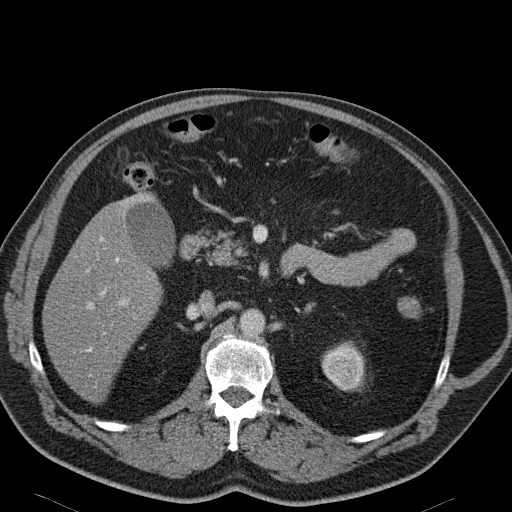
Arterial-phase contrast-enhanced abdominal CT, axial slice 84 of 114 (counted from the lowest slice); tube voltage 120 kVp, convolution kernel B31f; slices 5.00 mm thick, 0.781 mm per pixel.
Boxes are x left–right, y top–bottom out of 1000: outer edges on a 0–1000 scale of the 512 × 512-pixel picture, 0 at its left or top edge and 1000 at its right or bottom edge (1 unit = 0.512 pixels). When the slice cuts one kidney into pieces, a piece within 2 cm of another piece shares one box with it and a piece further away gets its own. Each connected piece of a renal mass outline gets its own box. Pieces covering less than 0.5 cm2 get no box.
Two boxes on this slice (one kidney box and one renal mass box), listed by box centre from the image's left to its right. (1) Box x 627–715, y 680–766 out of 1000: left renal mass (outlined area 1,538 px, about 9.4 cm2). (2) Box x 646–699, y 668–686 out of 1000: left kidney (outlined area 125 px, about 0.8 cm2).